One axial slice (488 of 723, counting up from the lowest) of an arterial-phase abdominal CT acquired with 120 kVp, kernel B30f; each pixel is 0.895 mm and the slice is 1.00 mm thick.
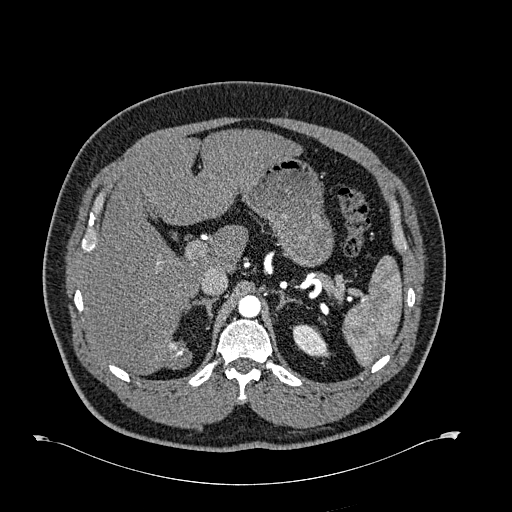
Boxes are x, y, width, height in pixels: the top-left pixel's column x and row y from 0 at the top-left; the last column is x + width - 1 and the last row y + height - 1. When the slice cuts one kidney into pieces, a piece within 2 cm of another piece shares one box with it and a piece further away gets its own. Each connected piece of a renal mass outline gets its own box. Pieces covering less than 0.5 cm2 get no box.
Left kidney at x 292, y 323, width 37, height 35 (outlined area 875 px, about 7.0 cm2). This slice carries no renal mass outline.